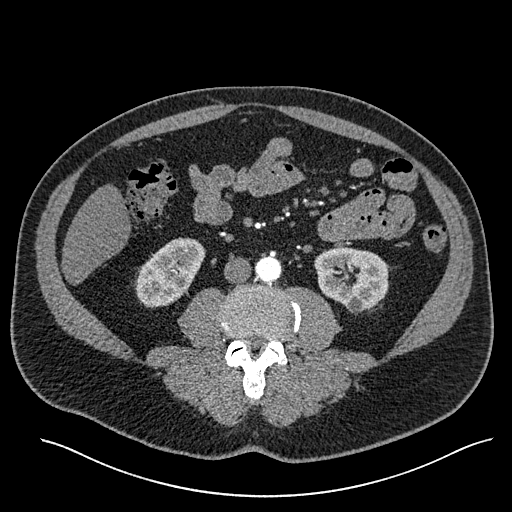
Arterial-phase contrast-enhanced abdominal CT, axial slice 233 of 527 (counted from the lowest slice); tube voltage 120 kVp, convolution kernel I30f; slices 1.00 mm thick, 0.859 mm per pixel.
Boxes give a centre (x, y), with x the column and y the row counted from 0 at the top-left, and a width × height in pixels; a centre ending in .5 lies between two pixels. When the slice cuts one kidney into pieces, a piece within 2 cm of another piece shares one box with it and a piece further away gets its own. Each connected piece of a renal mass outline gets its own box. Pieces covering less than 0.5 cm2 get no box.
Two kidney boxes on this slice; by box centre, from the image's left to its right: (1) Right kidney, box centre (170, 272), 71 × 71 pixels (outlined area 3,317 px, about 24.5 cm2). (2) Left kidney in a box with centre (351.5, 280), 76 × 69 pixels (outlined area 3,790 px, about 28.0 cm2). No renal mass outline on this slice.